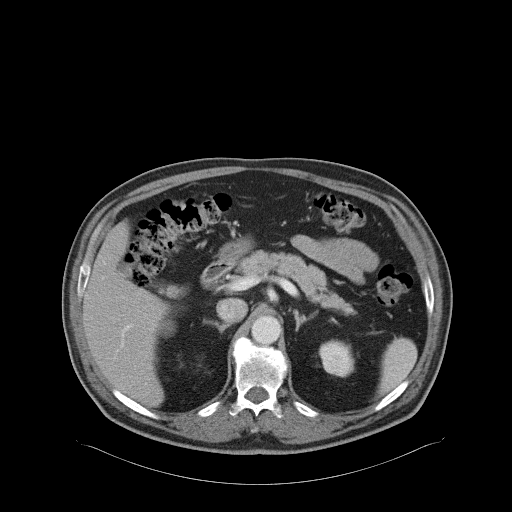
Arterial-phase contrast-enhanced abdominal CT, axial slice 57 of 68 (counted from the lowest slice); tube voltage 120 kVp, convolution kernel B31f; slices 5.00 mm thick, 0.961 mm per pixel.
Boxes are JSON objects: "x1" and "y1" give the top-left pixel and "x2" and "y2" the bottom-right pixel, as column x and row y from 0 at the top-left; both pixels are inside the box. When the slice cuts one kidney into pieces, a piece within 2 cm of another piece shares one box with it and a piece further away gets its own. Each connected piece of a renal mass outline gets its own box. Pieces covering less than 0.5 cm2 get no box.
Two boxes on this slice (two kidney boxes), listed by box centre from the image's left to its right. (1) Right kidney, box {"x1": 154, "y1": 319, "x2": 175, "y2": 337} (outlined area 332 px, about 3.1 cm2). (2) Box {"x1": 318, "y1": 339, "x2": 354, "y2": 377}: left kidney (outlined area 1,100 px, about 10.2 cm2). No renal mass outline on this slice.